One axial slice (97 of 234, counting up from the lowest) of an arterial-phase abdominal CT acquired with 100 kVp, kernel I40f; each pixel is 0.699 mm and the slice is 2.00 mm thick.
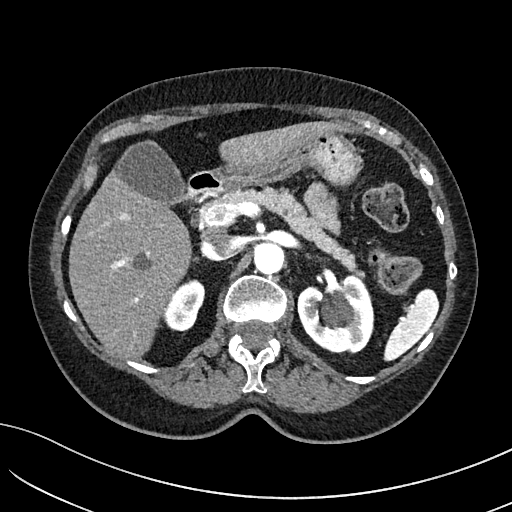
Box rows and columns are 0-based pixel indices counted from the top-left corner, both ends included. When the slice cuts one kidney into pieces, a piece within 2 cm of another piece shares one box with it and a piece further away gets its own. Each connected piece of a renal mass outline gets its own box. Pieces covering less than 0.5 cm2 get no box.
Two kidney boxes on this slice; by box centre, from the image's left to its right: (1) Right kidney, box rows 279–330, columns 161–205 (outlined area 1,524 px, about 7.5 cm2). (2) Left kidney, box rows 272–353, columns 297–374 (outlined area 4,752 px, about 23.2 cm2). This slice carries no renal mass outline.